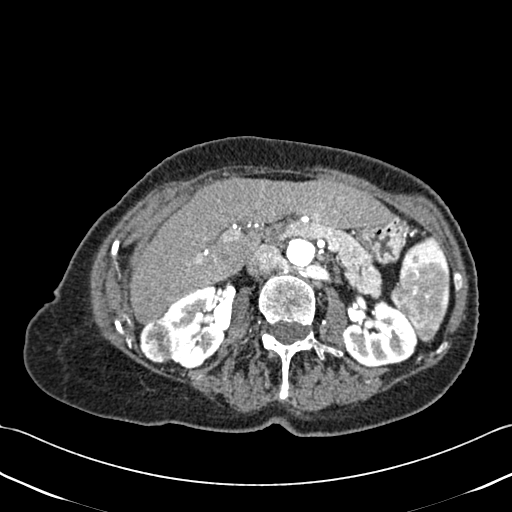
Contrast-enhanced abdominal CT, axial slice 252 of 433 (counted from the lowest slice); tube voltage 120 kVp, convolution kernel B30f; slices 1.00 mm thick, 0.672 mm per pixel.
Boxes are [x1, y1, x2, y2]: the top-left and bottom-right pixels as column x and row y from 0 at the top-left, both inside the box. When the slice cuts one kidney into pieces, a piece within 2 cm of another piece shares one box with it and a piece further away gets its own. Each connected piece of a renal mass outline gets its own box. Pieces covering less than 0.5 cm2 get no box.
Two kidney boxes and one renal mass box on this slice; by box centre, from the image's left to its right: (1) Right renal mass at [139, 318, 176, 363] (outlined area 1,370 px, about 6.2 cm2). (2) Box [160, 285, 225, 369]: right kidney (outlined area 3,536 px, about 16.0 cm2). (3) Left kidney, box [342, 301, 417, 367] (outlined area 3,590 px, about 16.2 cm2).